Arterial-phase contrast-enhanced abdominal CT, axial slice 41 of 70 (counted from the lowest slice); tube voltage 120 kVp, convolution kernel B30f; slices 5.00 mm thick, 0.977 mm per pixel.
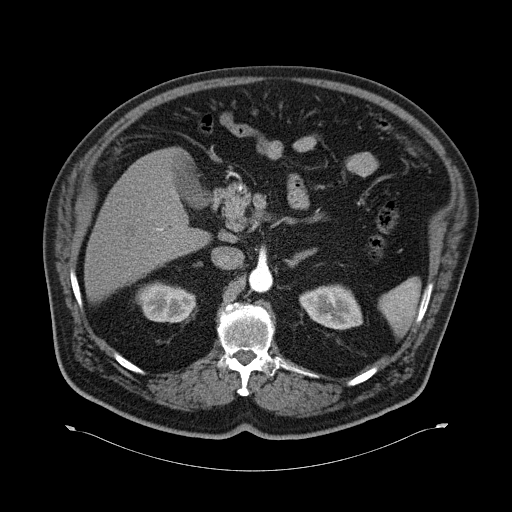
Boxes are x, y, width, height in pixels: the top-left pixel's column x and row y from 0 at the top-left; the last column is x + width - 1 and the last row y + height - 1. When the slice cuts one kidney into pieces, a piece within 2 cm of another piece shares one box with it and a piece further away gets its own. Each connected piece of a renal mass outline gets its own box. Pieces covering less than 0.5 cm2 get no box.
Two boxes on this slice (two kidney boxes), listed by box centre from the image's left to its right. (1) Right kidney at x 135, y 281, width 62, height 42 (outlined area 1,904 px, about 18.2 cm2). (2) Left kidney at x 299, y 284, width 64, height 47 (outlined area 2,109 px, about 20.1 cm2). This slice carries no renal mass outline.